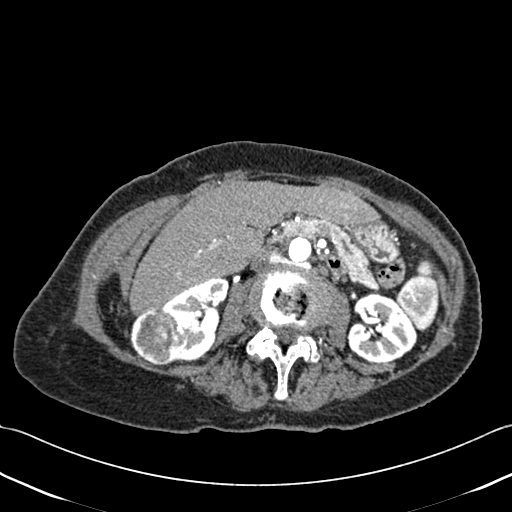
Axial slice 228 of 433 of a contrast-enhanced abdominal CT (slice 1 is the lowest), 120 kVp, kernel B30f; 1.00 mm slice thickness and 0.672 mm pixels.
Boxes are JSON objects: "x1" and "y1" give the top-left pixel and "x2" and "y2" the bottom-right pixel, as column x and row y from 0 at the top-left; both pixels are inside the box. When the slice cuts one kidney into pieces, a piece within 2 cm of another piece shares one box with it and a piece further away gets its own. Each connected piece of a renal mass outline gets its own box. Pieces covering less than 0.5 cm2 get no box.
Two kidney boxes and one renal mass box on this slice; by box centre, from the image's left to its right: (1) Box {"x1": 130, "y1": 306, "x2": 184, "y2": 365}: right renal mass (outlined area 2,433 px, about 11.0 cm2). (2) Box {"x1": 160, "y1": 278, "x2": 228, "y2": 360}: right kidney (outlined area 3,192 px, about 14.4 cm2). (3) Box {"x1": 345, "y1": 292, "x2": 417, "y2": 363}: left kidney (outlined area 3,689 px, about 16.7 cm2).